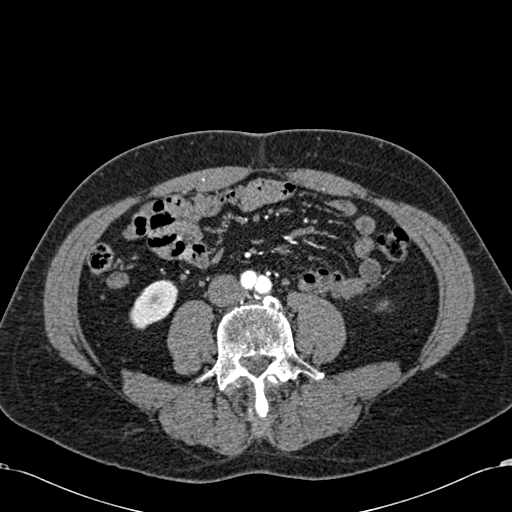
Axial slice 209 of 581 of a contrast-enhanced abdominal CT in the arterial phase (slice 1 is the lowest), 120 kVp, kernel B30f; 1.00 mm slice thickness and 0.713 mm pixels.
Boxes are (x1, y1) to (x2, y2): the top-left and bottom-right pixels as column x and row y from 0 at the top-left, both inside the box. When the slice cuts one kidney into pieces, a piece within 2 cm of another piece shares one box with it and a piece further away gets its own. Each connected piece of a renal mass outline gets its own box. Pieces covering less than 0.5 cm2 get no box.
Box (129, 279) to (178, 329): right kidney (outlined area 1,631 px, about 8.3 cm2). No renal mass outline on this slice.